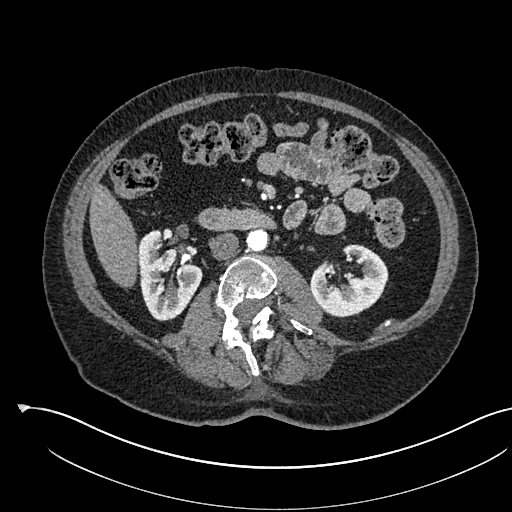
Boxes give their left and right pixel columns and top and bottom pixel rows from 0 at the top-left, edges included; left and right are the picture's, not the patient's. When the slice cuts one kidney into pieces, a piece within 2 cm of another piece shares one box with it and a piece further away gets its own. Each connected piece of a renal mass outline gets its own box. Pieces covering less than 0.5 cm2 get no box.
This is axial slice 290 of 541 (slice 1 is the lowest) of an arterial-phase abdominal CT with contrast; each pixel is 0.834 mm and the slice is 1.00 mm thick. Boxed on this slice (two kidney boxes), listed by box centre from the image's left to its right: (1) Right kidney in the box with left 138, top 229, right 201, bottom 321 (outlined area 3,958 px, about 27.5 cm2). (2) Left kidney in the box with left 310, top 244, right 388, bottom 317 (outlined area 3,768 px, about 26.2 cm2). No renal mass outline on this slice.
Tube voltage 120 kVp; convolution kernel I30f.